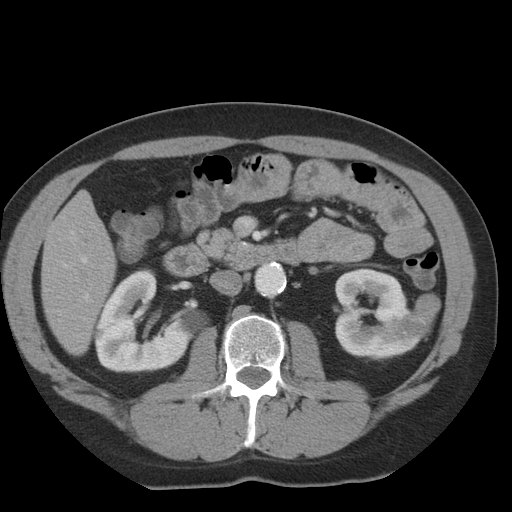
Arterial-phase contrast-enhanced abdominal CT, axial slice 13 of 36 (counted from the lowest slice); tube voltage 140 kVp, convolution kernel STANDARD; slices 5.00 mm thick, 0.703 mm per pixel.
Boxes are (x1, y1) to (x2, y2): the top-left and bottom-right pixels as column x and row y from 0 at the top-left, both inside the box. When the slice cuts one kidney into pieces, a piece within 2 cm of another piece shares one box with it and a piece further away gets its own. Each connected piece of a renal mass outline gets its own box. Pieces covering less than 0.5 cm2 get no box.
Boxed on this slice (two kidney boxes and one renal mass box), listed by box centre from the image's left to its right: (1) Right kidney, box (94, 270) to (208, 373) (outlined area 7,296 px, about 36.1 cm2). (2) Left kidney from (334, 268) to (420, 356) (outlined area 5,550 px, about 27.4 cm2). (3) Left renal mass, box (397, 293) to (440, 339) (outlined area 1,306 px, about 6.5 cm2).